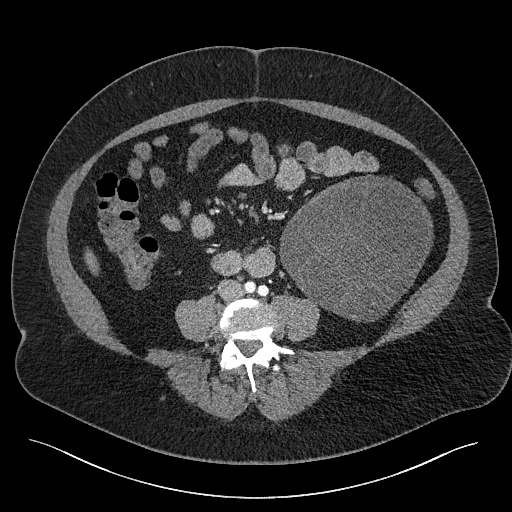
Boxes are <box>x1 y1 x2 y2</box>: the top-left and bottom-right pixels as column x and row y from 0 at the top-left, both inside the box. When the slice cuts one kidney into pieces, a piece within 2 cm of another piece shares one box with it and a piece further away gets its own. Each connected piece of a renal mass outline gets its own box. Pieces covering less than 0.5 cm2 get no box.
Contrast-enhanced abdominal CT, axial slice 70 of 301 (counted from the lowest slice); 2.00 mm thick, 0.859 mm per pixel. At <box>279 174 433 322</box>: left renal mass (outlined area 16,373 px, about 120.9 cm2); this slice has no kidney outline, though on another slice the same outlined renal mass lies within 1 cm of the kidney.
Scan settings: 120 kVp, I40f reconstruction kernel.